Abdominal CT with intravenous contrast, axial plane, 100 kVp, kernel I40f. Slice 50/90 from the bottom of the scan; thickness 5.00 mm; pixel size 0.684 mm.
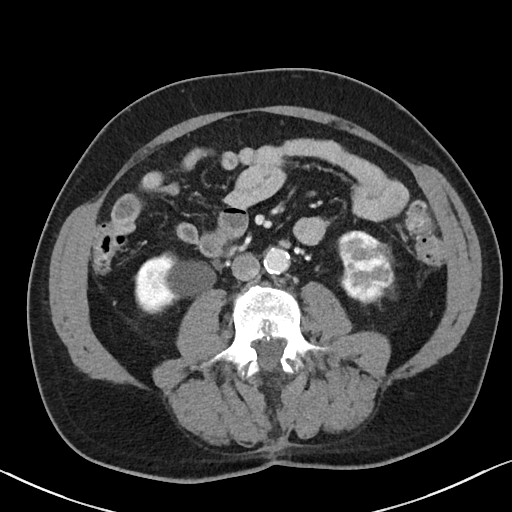
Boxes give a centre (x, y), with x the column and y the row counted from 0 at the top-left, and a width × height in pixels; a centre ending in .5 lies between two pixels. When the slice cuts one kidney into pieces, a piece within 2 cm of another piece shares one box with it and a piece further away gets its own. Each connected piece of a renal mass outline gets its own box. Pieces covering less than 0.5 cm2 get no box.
Two boxes on this slice (two kidney boxes), listed by box centre from the image's left to its right. (1) Box centre (174.5, 282.5), 82 × 64 pixels: right kidney (outlined area 3,359 px, about 15.7 cm2). (2) Left kidney in a box with centre (365.5, 267.5), 58 × 76 pixels (outlined area 3,331 px, about 15.6 cm2). No renal mass is outlined on this slice.